Abdominal CT with intravenous contrast, arterial phase, axial plane, 140 kVp, kernel I41f. Slice 54/61 from the bottom of the scan; thickness 3.00 mm; pixel size 0.947 mm.
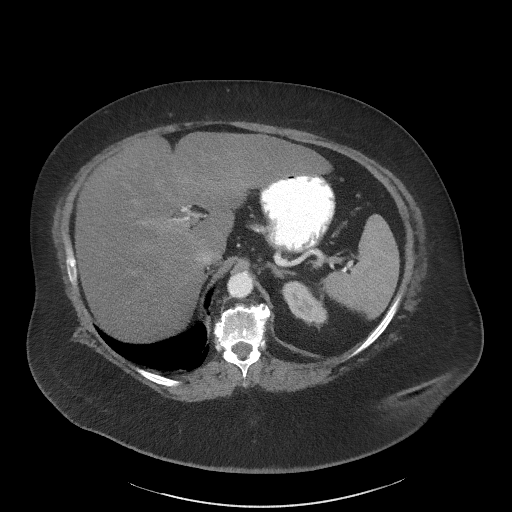
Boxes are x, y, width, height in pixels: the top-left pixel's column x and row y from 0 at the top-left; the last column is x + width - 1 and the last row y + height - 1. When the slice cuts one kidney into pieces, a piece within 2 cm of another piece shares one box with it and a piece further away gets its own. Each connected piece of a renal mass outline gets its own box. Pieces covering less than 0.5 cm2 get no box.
Left kidney, box x 282, y 280, width 46, height 48 (outlined area 1,365 px, about 12.2 cm2). No renal mass is outlined on this slice.